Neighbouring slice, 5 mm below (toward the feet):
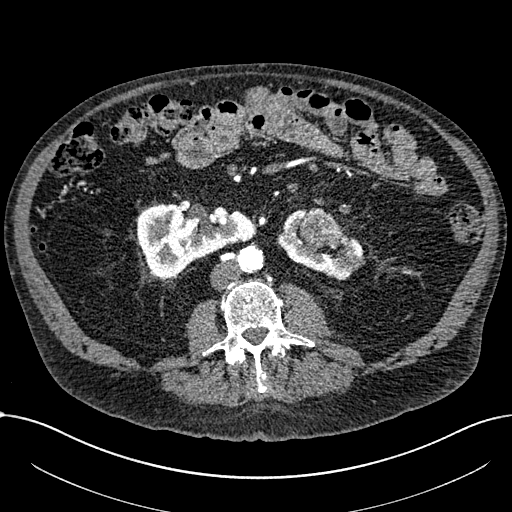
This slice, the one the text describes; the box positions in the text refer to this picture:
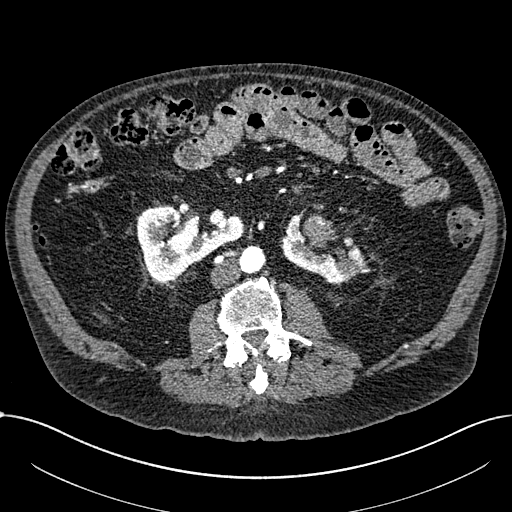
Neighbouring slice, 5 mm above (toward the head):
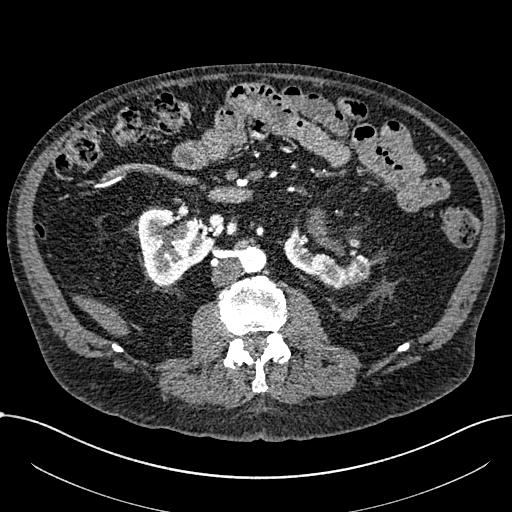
Axial slice 336 of 1059 of a contrast-enhanced abdominal CT in the arterial phase (slice 1 is the lowest), 100 kVp, kernel I30f; 1.00 mm slice thickness and 0.811 mm pixels.
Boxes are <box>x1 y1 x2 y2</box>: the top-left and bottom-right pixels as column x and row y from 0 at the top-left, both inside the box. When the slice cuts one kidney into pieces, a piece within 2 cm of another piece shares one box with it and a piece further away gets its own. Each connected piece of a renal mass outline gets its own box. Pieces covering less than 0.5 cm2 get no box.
Three boxes on this slice (two kidney boxes and one renal mass box), listed by box centre from the image's left to its right. (1) Right part of the midline-crossing kidney at <box>136 204 244 281</box> (outlined area 5,395 px, about 35.4 cm2). (2) At <box>302 214 339 250</box>: renal mass (outlined area 908 px, about 6.0 cm2). (3) At <box>280 215 367 285</box>: left part of the midline-crossing kidney (outlined area 2,762 px, about 18.1 cm2). This slice lies near the end of a renal mass toward the head; the slices 5 mm below and 5 mm above it are shown too, and the boxes mark positions on this slice only.